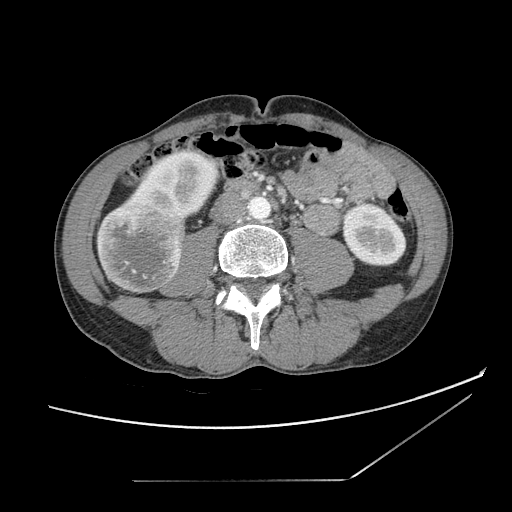
Axial slice 41 of 121 of a contrast-enhanced abdominal CT (slice 1 is the lowest), 120 kVp, kernel STANDARD; 2.50 mm slice thickness and 0.742 mm pixels.
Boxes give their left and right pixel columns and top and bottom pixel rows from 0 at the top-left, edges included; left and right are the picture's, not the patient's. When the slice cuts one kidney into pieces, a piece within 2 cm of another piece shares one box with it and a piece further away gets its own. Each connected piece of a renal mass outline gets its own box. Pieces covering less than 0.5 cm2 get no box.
Two kidney boxes and one renal mass box on this slice; by box centre, from the image's left to its right: (1) Right renal mass in the box with left 94, top 200, right 187, bottom 293 (outlined area 6,643 px, about 36.6 cm2). (2) Right kidney in the box with left 124, top 149, right 218, bottom 220 (outlined area 4,154 px, about 22.9 cm2). (3) Left kidney, the box with left 341, top 201, right 406, bottom 266 (outlined area 3,220 px, about 17.7 cm2).